Abdominal CT with intravenous contrast, arterial phase, axial plane, 120 kVp, kernel B30f. Slice 394/723 from the bottom of the scan; thickness 1.00 mm; pixel size 0.895 mm.
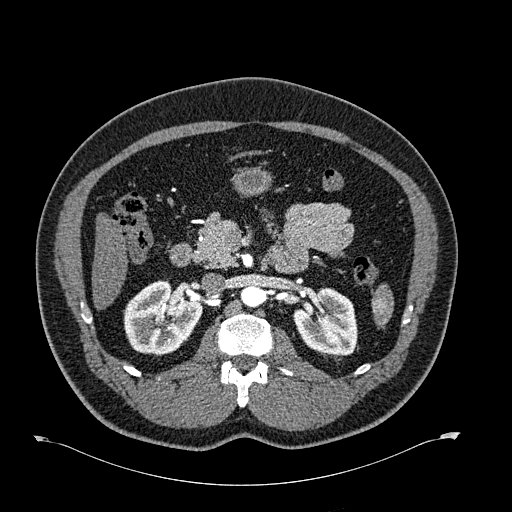
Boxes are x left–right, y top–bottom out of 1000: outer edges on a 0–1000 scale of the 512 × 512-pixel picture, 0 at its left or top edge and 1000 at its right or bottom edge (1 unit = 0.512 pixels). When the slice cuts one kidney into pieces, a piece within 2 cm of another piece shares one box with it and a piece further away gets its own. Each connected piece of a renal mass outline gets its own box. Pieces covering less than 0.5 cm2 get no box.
Two boxes on this slice (two kidney boxes), listed by box centre from the image's left to its right. (1) Right kidney at x 240–396, y 545–693 out of 1000 (outlined area 4,362 px, about 34.9 cm2). (2) Left kidney, box x 572–699, y 561–697 out of 1000 (outlined area 3,348 px, about 26.8 cm2). No renal mass is outlined on this slice.